Abdominal CT with intravenous contrast, axial plane, 120 kVp, kernel STANDARD. Slice 50/103 from the bottom of the scan; thickness 2.50 mm; pixel size 0.736 mm.
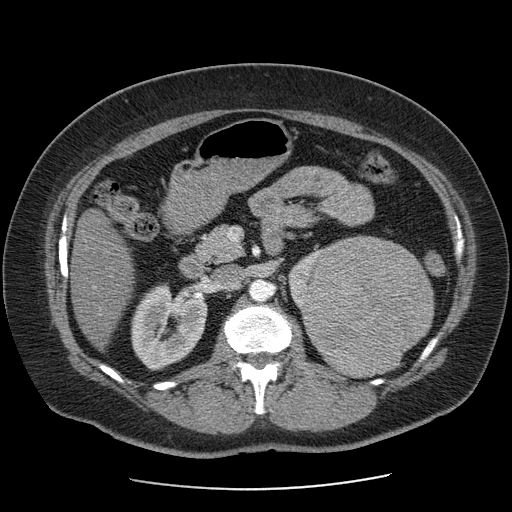
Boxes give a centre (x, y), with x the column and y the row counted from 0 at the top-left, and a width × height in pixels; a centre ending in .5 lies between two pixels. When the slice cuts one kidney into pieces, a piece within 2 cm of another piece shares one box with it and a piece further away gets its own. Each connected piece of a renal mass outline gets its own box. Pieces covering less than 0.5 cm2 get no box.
Boxed on this slice (two kidney boxes and one renal mass box), listed by box centre from the image's left to its right: (1) Box centre (169, 327), 77 × 85 pixels: right kidney (outlined area 4,685 px, about 25.4 cm2). (2) Box centre (305, 280), 35 × 65 pixels: left kidney (outlined area 1,082 px, about 5.9 cm2). (3) Left renal mass in a box with centre (367.5, 306.5), 134 × 144 pixels (outlined area 14,488 px, about 78.6 cm2).